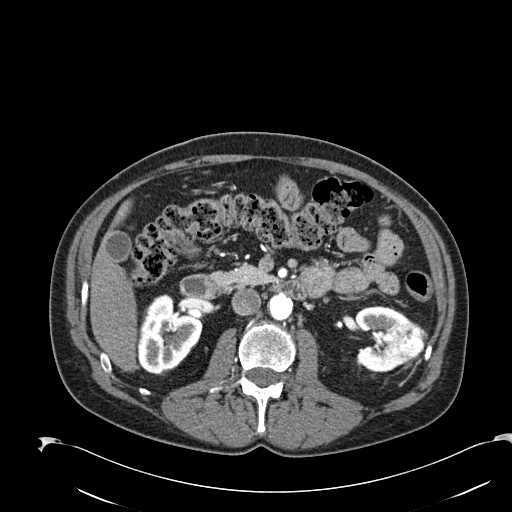
Arterial-phase contrast-enhanced abdominal CT, axial slice 115 of 274 (counted from the lowest slice); tube voltage 120 kVp, convolution kernel B30f; slices 2.00 mm thick, 0.809 mm per pixel.
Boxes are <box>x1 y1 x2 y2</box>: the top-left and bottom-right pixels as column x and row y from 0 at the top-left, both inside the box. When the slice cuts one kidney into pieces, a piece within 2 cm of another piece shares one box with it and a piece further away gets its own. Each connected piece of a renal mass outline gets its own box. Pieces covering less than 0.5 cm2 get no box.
Three boxes on this slice (two kidney boxes and one renal mass box), listed by box centre from the image's left to its right. (1) Right kidney at <box>139 294 202 375</box> (outlined area 3,678 px, about 24.0 cm2). (2) Left kidney: <box>354 306 409 372</box> (outlined area 2,069 px, about 13.5 cm2). (3) Left renal mass: <box>383 320 427 363</box> (outlined area 1,456 px, about 9.5 cm2).